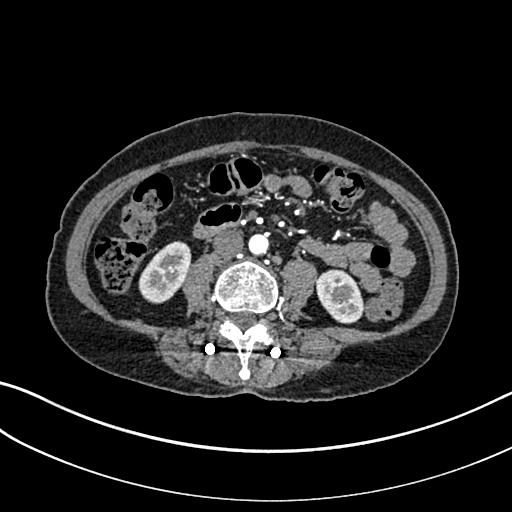
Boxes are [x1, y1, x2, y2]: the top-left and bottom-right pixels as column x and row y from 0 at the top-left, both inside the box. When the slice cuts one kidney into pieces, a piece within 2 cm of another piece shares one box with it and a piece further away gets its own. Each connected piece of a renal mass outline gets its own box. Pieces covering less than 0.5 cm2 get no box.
Arterial-phase contrast-enhanced abdominal CT, axial slice 74 of 325 (counted from the lowest slice); 1.00 mm thick, 0.703 mm per pixel. Boxed on this slice (two kidney boxes), listed by box centre from the image's left to its right: (1) Right kidney, box [138, 241, 191, 303] (outlined area 2,278 px, about 11.3 cm2). (2) Left kidney at [315, 269, 363, 323] (outlined area 1,972 px, about 9.7 cm2). No renal mass outline on this slice.
Acquired at 100 kVp and reconstructed with the I30f kernel.